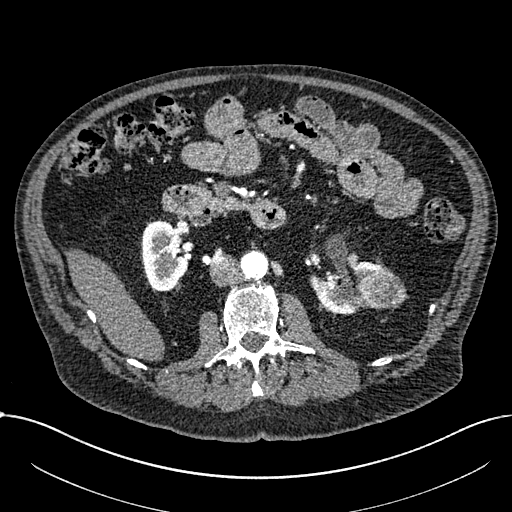
One axial slice (385 of 1059, counting up from the lowest) of an arterial-phase abdominal CT acquired with 100 kVp, kernel I30f; each pixel is 0.811 mm and the slice is 1.00 mm thick.
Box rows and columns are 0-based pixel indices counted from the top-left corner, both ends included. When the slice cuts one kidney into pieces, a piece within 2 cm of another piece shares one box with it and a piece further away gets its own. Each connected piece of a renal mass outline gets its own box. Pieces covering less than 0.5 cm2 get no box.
Two kidney boxes and one renal mass box on this slice; by box centre, from the image's left to its right: (1) Box rows 221–291, columns 141–188: right part of the midline-crossing kidney (outlined area 2,570 px, about 16.9 cm2). (2) Left part of the midline-crossing kidney at rows 260–314, columns 309–389 (outlined area 2,260 px, about 14.8 cm2). (3) Renal mass, box rows 270–309, columns 358–406 (outlined area 1,465 px, about 9.6 cm2).